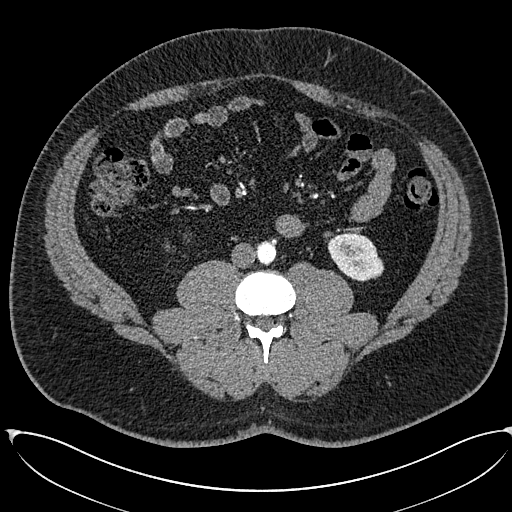
Abdominal CT with intravenous contrast, arterial phase, axial plane, 120 kVp, kernel I30f. Slice 243/673 from the bottom of the scan; thickness 1.00 mm; pixel size 0.855 mm.
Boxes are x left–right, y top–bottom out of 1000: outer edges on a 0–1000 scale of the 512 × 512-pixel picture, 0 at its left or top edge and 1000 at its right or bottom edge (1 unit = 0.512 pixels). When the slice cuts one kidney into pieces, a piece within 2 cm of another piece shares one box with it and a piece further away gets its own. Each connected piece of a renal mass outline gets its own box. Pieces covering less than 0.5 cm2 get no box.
Left kidney, box x 639–752, y 453–551 out of 1000 (outlined area 2,021 px, about 14.8 cm2). No renal mass is outlined on this slice.